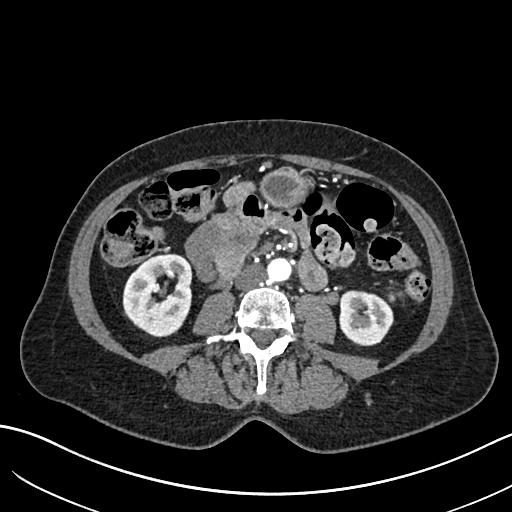
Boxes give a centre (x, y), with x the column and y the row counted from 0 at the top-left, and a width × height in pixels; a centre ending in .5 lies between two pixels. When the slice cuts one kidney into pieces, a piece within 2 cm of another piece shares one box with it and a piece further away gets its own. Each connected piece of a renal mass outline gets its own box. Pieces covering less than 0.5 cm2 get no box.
Slice 307/683 of a contrast-enhanced abdominal CT in the arterial phase, counting up from the lowest; pixel size 0.738 mm, slice thickness 1.00 mm. Boxed on this slice (two kidney boxes), listed by box centre from the image's left to its right: (1) Right kidney in a box with centre (157, 295), 71 × 85 pixels (outlined area 4,428 px, about 24.1 cm2). (2) Left kidney in a box with centre (366, 318), 55 × 57 pixels (outlined area 2,448 px, about 13.3 cm2). This slice carries no renal mass outline.
Tube voltage 120 kVp; convolution kernel I30f.